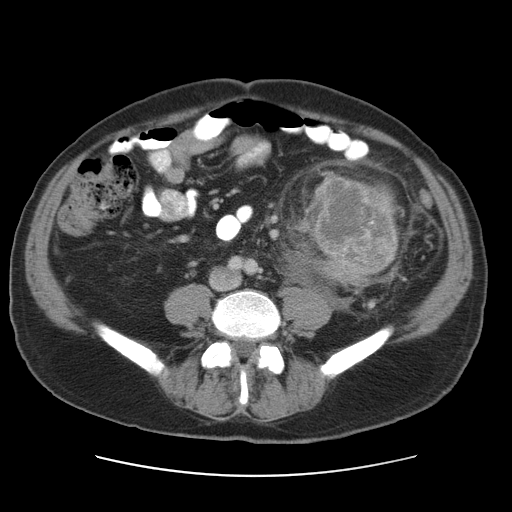
Axial slice 45 of 95 of a contrast-enhanced abdominal CT (slice 1 is the lowest), 120 kVp, kernel STANDARD; 5.00 mm slice thickness and 0.781 mm pixels.
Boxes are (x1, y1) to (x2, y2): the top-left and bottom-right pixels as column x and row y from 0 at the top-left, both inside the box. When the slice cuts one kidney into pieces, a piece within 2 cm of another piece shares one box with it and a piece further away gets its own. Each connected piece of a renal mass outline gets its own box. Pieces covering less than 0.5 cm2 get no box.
Left renal mass from (313, 172) to (401, 273) (outlined area 7,049 px, about 43.0 cm2); this slice has no kidney outline, though on another slice the same outlined renal mass lies within 1 cm of the kidney.